Abdominal CT with intravenous contrast, arterial phase, axial plane, 120 kVp, kernel STANDARD. Slice 291/389 from the bottom of the scan; thickness 1.25 mm; pixel size 0.869 mm.
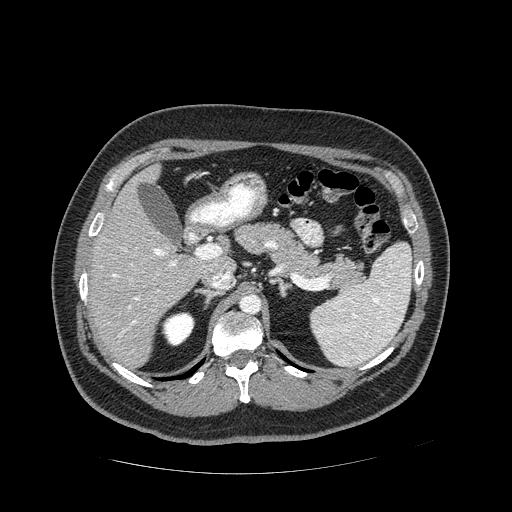
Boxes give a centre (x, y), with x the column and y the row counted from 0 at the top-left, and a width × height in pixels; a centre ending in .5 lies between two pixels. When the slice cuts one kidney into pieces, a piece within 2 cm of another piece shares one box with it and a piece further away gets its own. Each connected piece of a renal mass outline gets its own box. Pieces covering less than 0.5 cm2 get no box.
Box centre (178.5, 329), 34 × 35 pixels: right kidney (outlined area 865 px, about 6.5 cm2). This slice carries no renal mass outline.